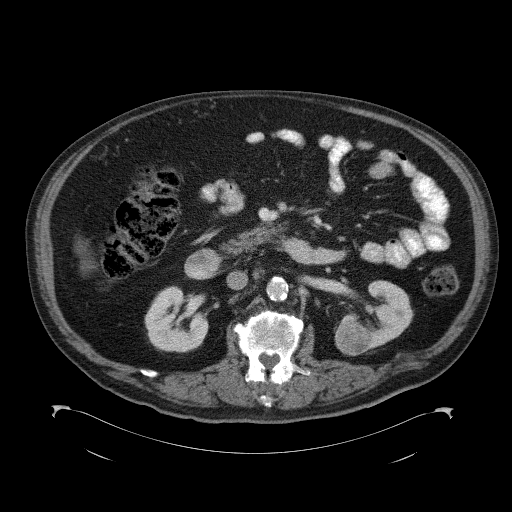
Axial slice 58 of 98 of a contrast-enhanced abdominal CT (slice 1 is the lowest), 120 kVp, kernel B41f; 5.00 mm slice thickness and 0.965 mm pixels.
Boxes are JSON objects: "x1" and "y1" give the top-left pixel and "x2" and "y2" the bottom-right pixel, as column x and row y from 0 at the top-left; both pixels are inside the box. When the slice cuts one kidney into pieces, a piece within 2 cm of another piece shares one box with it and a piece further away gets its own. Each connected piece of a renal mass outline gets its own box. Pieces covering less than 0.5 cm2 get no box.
Boxed on this slice (two kidney boxes and one renal mass box), listed by box centre from the image's left to its right: (1) Box {"x1": 144, "y1": 286, "x2": 208, "y2": 352}: right kidney (outlined area 3,172 px, about 29.5 cm2). (2) Left renal mass, box {"x1": 335, "y1": 320, "x2": 371, "y2": 355} (outlined area 1,048 px, about 9.8 cm2). (3) Left kidney, box {"x1": 342, "y1": 280, "x2": 412, "y2": 349} (outlined area 2,452 px, about 22.8 cm2).